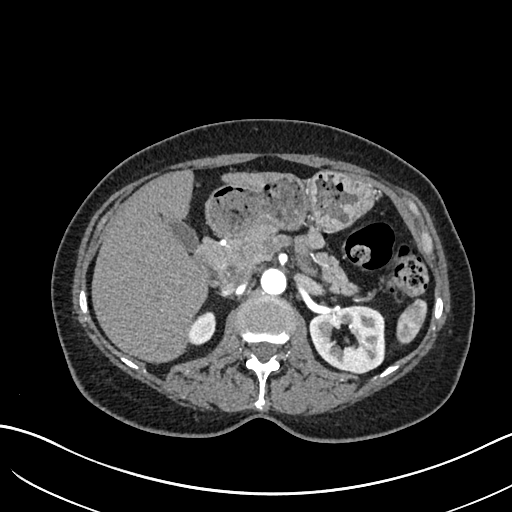
Arterial-phase contrast-enhanced abdominal CT, axial slice 417 of 683 (counted from the lowest slice); tube voltage 120 kVp, convolution kernel I30f; slices 1.00 mm thick, 0.738 mm per pixel.
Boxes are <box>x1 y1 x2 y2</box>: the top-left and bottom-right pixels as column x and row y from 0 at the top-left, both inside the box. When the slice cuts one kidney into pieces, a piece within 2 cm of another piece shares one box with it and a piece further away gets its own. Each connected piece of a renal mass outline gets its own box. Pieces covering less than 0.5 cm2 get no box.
Two kidney boxes on this slice; by box centre, from the image's left to its right: (1) Right kidney at <box>189 311 216 345</box> (outlined area 717 px, about 3.9 cm2). (2) Left kidney: <box>309 305 385 374</box> (outlined area 3,921 px, about 21.4 cm2). No renal mass is outlined on this slice.